Arterial-phase contrast-enhanced abdominal CT, axial slice 263 of 673 (counted from the lowest slice); tube voltage 120 kVp, convolution kernel I30f; slices 1.00 mm thick, 0.855 mm per pixel.
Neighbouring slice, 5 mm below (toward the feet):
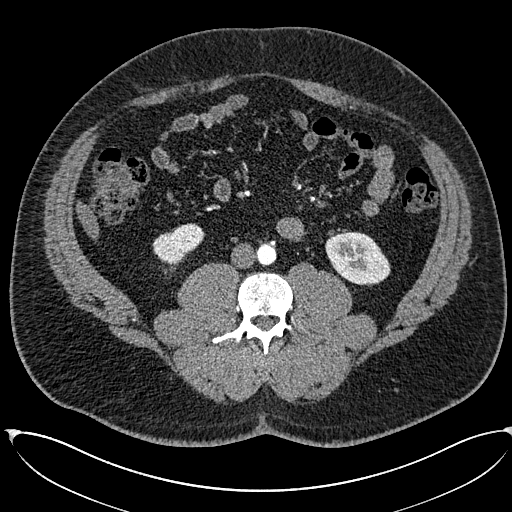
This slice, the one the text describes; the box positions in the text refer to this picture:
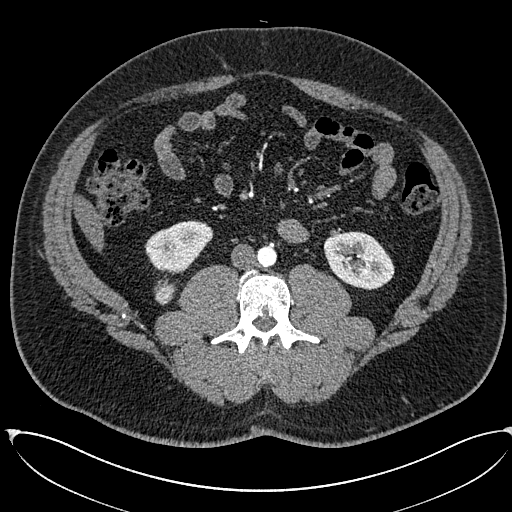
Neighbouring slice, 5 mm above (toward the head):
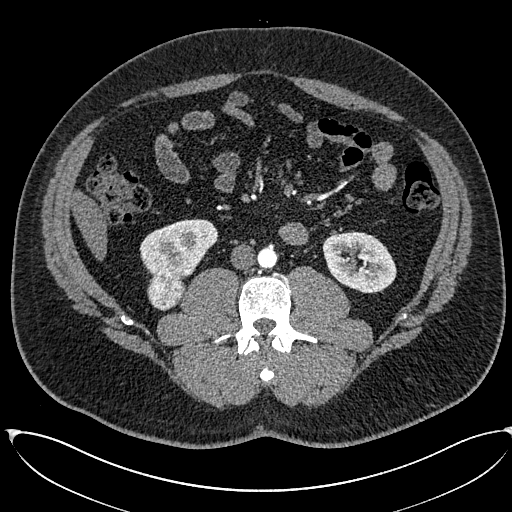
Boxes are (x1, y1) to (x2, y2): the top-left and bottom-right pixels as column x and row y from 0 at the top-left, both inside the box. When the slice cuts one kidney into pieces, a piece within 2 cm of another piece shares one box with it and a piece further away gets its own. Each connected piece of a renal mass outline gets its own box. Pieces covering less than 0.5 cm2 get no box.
Two kidney boxes and one renal mass box on this slice; by box centre, from the image's left to its right: (1) Right renal mass, box (154, 281) to (176, 305) (outlined area 406 px, about 3.0 cm2). (2) Right kidney from (144, 220) to (213, 273) (outlined area 2,529 px, about 18.5 cm2). (3) Left kidney, box (323, 231) to (394, 289) (outlined area 3,084 px, about 22.6 cm2). This slice is near the end of the right renal mass toward the feet, so the slices 5 mm below and 5 mm above it are shown as well; the boxes refer to this slice only.